One axial slice (333 of 581, counting up from the lowest) of an arterial-phase abdominal CT acquired with 120 kVp, kernel B30f; each pixel is 0.713 mm and the slice is 1.00 mm thick.
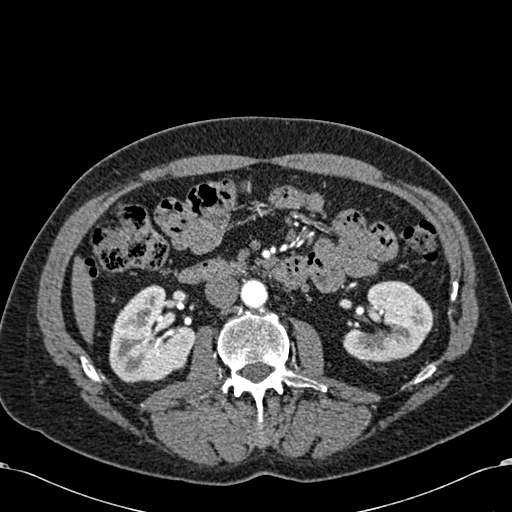
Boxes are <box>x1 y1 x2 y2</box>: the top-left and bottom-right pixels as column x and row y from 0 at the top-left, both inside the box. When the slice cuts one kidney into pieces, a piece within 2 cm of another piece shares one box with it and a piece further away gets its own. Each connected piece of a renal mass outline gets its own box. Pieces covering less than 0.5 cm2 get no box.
Boxed on this slice (two kidney boxes and one renal mass box), listed by box centre from the image's left to its right: (1) Right kidney at <box>109 284 195 382</box> (outlined area 5,827 px, about 29.6 cm2). (2) At <box>168 356 186 373</box>: right renal mass (outlined area 218 px, about 1.1 cm2). (3) Left kidney: <box>343 280 433 362</box> (outlined area 5,139 px, about 26.1 cm2).